Axial slice 19 of 77 of a contrast-enhanced abdominal CT in the arterial phase (slice 1 is the lowest), 100 kVp, kernel B41f; 3.00 mm slice thickness and 0.809 mm pixels.
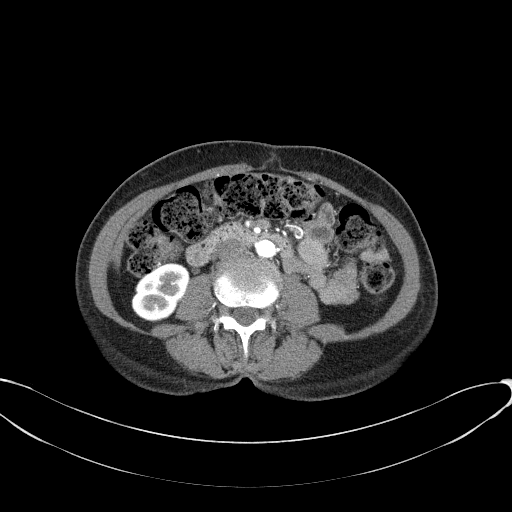
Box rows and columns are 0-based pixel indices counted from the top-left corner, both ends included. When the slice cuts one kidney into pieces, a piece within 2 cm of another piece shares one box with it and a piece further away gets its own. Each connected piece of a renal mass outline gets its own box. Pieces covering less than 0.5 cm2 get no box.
Right kidney at rows 263–321, columns 131–189 (outlined area 2,424 px, about 15.8 cm2). No renal mass outline on this slice.